Contrast-enhanced abdominal CT, axial slice 66 of 103 (counted from the lowest slice); tube voltage 120 kVp, convolution kernel FC18; slices 3.00 mm thick, 0.714 mm per pixel.
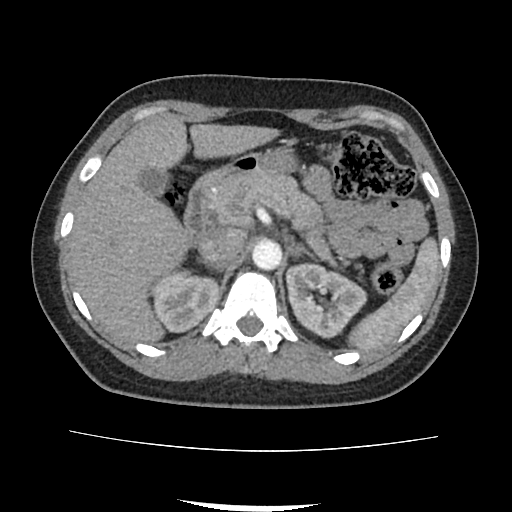
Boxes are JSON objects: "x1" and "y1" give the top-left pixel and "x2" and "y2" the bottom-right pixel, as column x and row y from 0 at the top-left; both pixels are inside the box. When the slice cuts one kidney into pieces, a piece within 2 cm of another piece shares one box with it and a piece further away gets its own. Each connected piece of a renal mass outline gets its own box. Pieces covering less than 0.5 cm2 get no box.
Two boxes on this slice (two kidney boxes), listed by box centre from the image's left to its right. (1) Box {"x1": 150, "y1": 268, "x2": 219, "y2": 332}: right kidney (outlined area 3,280 px, about 16.7 cm2). (2) Left kidney at {"x1": 285, "y1": 262, "x2": 367, "y2": 339} (outlined area 4,332 px, about 22.1 cm2). No renal mass is outlined on this slice.